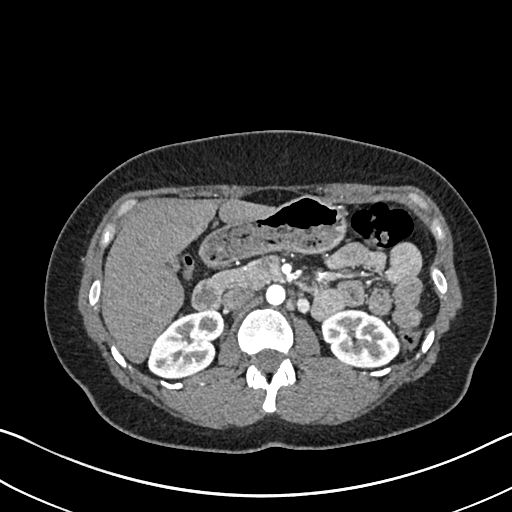
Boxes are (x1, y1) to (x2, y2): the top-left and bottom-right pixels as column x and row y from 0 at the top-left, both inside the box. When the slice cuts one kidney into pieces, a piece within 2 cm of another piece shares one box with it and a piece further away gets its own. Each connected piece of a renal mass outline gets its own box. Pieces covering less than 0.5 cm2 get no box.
Slice 420/612 of a contrast-enhanced abdominal CT in the arterial phase, counting up from the lowest; pixel size 0.703 mm, slice thickness 1.00 mm. Two boxes on this slice (two kidney boxes), listed by box centre from the image's left to its right. (1) Right kidney from (147, 309) to (223, 378) (outlined area 3,762 px, about 18.6 cm2). (2) Left kidney, box (321, 308) to (399, 369) (outlined area 3,524 px, about 17.4 cm2). This slice carries no renal mass outline.
Acquired at 120 kVp and reconstructed with the I30f kernel.